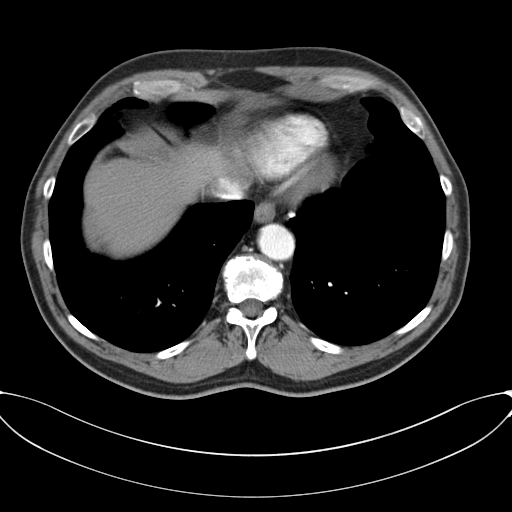
Slice 69/80 of a contrast-enhanced abdominal CT, counting up from the lowest; pixel size 0.822 mm, slice thickness 3.00 mm. Outside the outlined region: no kidney outline and no renal mass outline on this slice. The scan's outlines cover only kidneys and renal masses; no other organ is outlined.
Tube voltage 120 kVp; convolution kernel B30f.